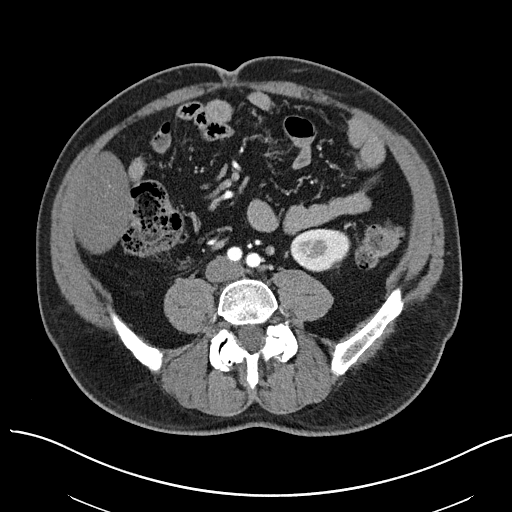
Abdominal CT with intravenous contrast, arterial phase, axial plane, 100 kVp, kernel I40f. Slice 9/97 from the bottom of the scan; thickness 3.00 mm; pixel size 0.797 mm.
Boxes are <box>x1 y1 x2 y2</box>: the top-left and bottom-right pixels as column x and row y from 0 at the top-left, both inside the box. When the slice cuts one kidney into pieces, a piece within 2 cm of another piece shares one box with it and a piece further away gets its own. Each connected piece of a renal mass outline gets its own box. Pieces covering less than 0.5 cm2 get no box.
Left kidney: <box>290 228 350 271</box> (outlined area 2,078 px, about 13.2 cm2). This slice carries no renal mass outline.